Arterial-phase contrast-enhanced abdominal CT, axial slice 347 of 670 (counted from the lowest slice); tube voltage 120 kVp, convolution kernel I30f; slices 1.00 mm thick, 0.861 mm per pixel.
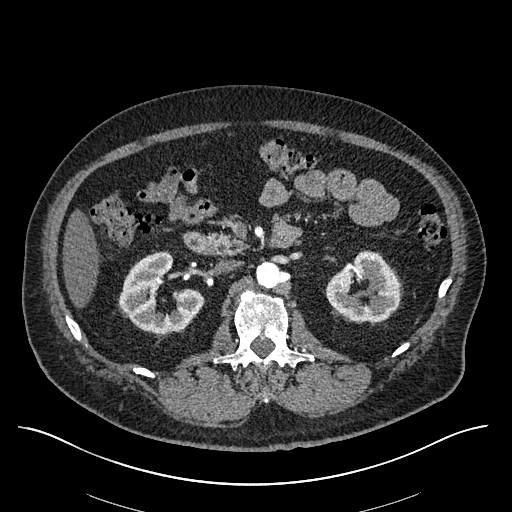
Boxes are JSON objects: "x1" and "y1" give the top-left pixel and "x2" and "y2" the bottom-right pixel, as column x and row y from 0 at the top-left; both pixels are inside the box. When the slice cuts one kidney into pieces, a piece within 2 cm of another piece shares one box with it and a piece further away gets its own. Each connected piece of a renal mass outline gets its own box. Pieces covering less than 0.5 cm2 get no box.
Boxed on this slice (two kidney boxes), listed by box centre from the image's left to its right: (1) Box {"x1": 118, "y1": 251, "x2": 204, "y2": 333}: right kidney (outlined area 4,265 px, about 31.6 cm2). (2) Left kidney, box {"x1": 325, "y1": 250, "x2": 402, "y2": 322} (outlined area 3,850 px, about 28.6 cm2). This slice carries no renal mass outline.